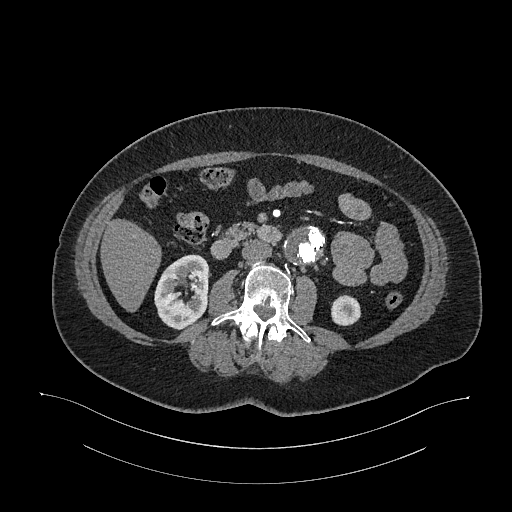
Arterial-phase contrast-enhanced abdominal CT, axial slice 591 of 987 (counted from the lowest slice); tube voltage 120 kVp, convolution kernel I26f; slices 1.00 mm thick, 0.977 mm per pixel.
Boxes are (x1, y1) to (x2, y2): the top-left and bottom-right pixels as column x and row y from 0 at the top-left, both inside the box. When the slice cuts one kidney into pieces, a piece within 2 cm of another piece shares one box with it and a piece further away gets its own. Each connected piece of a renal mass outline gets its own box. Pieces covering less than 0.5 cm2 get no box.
Two kidney boxes on this slice; by box centre, from the image's left to its right: (1) Right kidney from (154, 254) to (209, 329) (outlined area 3,133 px, about 29.9 cm2). (2) Left kidney, box (331, 294) to (360, 326) (outlined area 768 px, about 7.3 cm2). No renal mass is outlined on this slice.